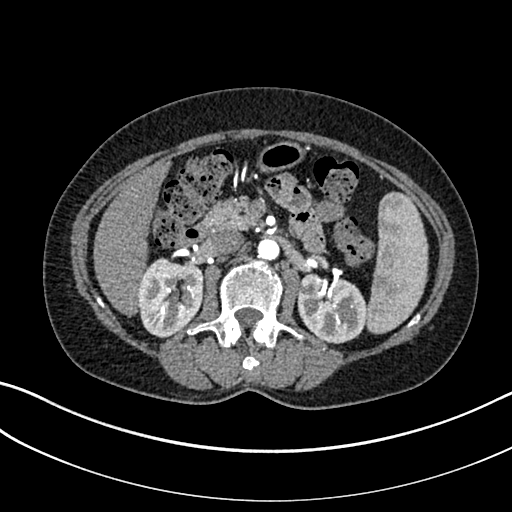
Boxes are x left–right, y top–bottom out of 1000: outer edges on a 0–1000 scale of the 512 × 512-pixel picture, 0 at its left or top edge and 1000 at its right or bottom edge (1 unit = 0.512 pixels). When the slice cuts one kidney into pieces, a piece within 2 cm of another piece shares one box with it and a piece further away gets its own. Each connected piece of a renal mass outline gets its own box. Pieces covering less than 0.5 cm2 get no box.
Slice 175/325 of a contrast-enhanced abdominal CT in the arterial phase, counting up from the lowest; pixel size 0.703 mm, slice thickness 1.00 mm. Two boxes on this slice (two kidney boxes), listed by box centre from the image's left to its right. (1) Right kidney at x 268–400, y 502–662 out of 1000 (outlined area 4,122 px, about 20.4 cm2). (2) Left kidney at x 580–717, y 531–672 out of 1000 (outlined area 3,849 px, about 19.0 cm2). No renal mass is outlined on this slice.
Tube voltage 100 kVp; convolution kernel I30f.